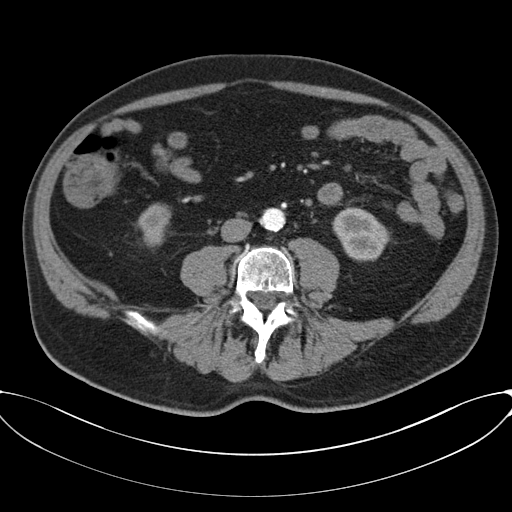
One axial slice (17 of 80, counting up from the lowest) of a contrast-enhanced abdominal CT acquired with 120 kVp, kernel B30f; each pixel is 0.822 mm and the slice is 3.00 mm thick.
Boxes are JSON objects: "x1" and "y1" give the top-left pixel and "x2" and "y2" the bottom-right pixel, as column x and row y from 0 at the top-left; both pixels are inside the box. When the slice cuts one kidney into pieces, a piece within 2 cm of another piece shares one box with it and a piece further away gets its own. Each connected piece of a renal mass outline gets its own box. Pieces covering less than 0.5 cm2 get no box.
Two boxes on this slice (two kidney boxes), listed by box centre from the image's left to its right. (1) Right kidney, box {"x1": 136, "y1": 203, "x2": 171, "y2": 247} (outlined area 1,072 px, about 7.2 cm2). (2) Left kidney, box {"x1": 332, "y1": 207, "x2": 390, "y2": 261} (outlined area 2,261 px, about 15.3 cm2). No renal mass outline on this slice.